Arterial-phase contrast-enhanced abdominal CT, axial slice 356 of 673 (counted from the lowest slice); tube voltage 140 kVp, convolution kernel I30f; slices 1.00 mm thick, 0.957 mm per pixel.
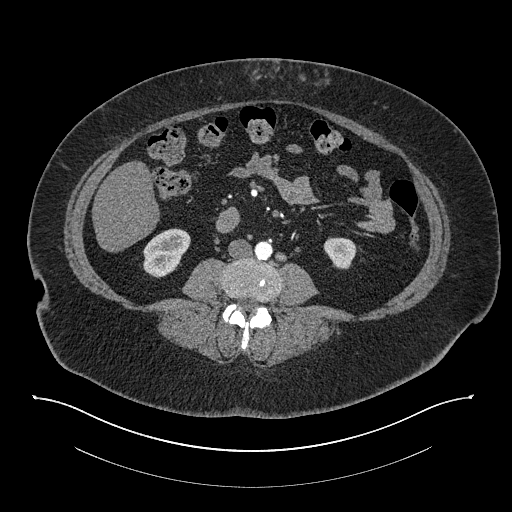
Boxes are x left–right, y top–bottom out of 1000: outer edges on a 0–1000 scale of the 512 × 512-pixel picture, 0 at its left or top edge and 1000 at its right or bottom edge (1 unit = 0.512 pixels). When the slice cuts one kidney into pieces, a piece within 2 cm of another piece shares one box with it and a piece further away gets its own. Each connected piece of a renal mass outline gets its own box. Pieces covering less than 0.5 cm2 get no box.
Boxed on this slice (two kidney boxes), listed by box centre from the image's left to its right: (1) Box x 279–373, y 445–543 out of 1000: right kidney (outlined area 1,694 px, about 15.5 cm2). (2) Left kidney at x 631–697, y 463–527 out of 1000 (outlined area 821 px, about 7.5 cm2). No renal mass is outlined on this slice.